Arterial-phase contrast-enhanced abdominal CT, axial slice 398 of 581 (counted from the lowest slice); tube voltage 120 kVp, convolution kernel B30f; slices 1.00 mm thick, 0.713 mm per pixel.
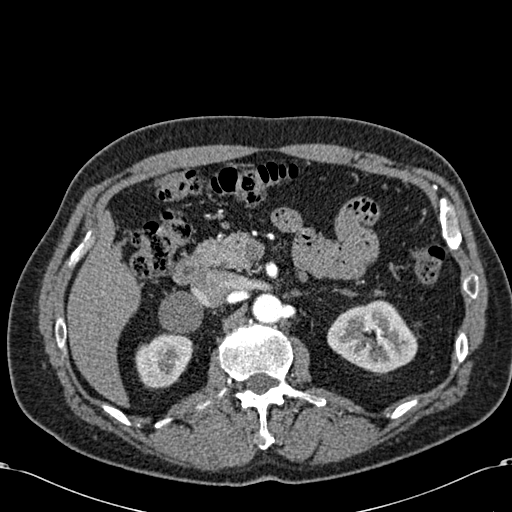
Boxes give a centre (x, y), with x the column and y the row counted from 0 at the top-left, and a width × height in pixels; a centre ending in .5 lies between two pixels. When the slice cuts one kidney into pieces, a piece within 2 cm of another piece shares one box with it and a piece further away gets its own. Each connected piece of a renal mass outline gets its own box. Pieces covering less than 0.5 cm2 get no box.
Boxed on this slice (two kidney boxes), listed by box centre from the image's left to its right: (1) Box centre (163.5, 361), 60 × 57 pixels: right kidney (outlined area 2,437 px, about 12.4 cm2). (2) Left kidney in a box with centre (372, 336.5), 91 × 74 pixels (outlined area 4,736 px, about 24.1 cm2). This slice carries no renal mass outline.